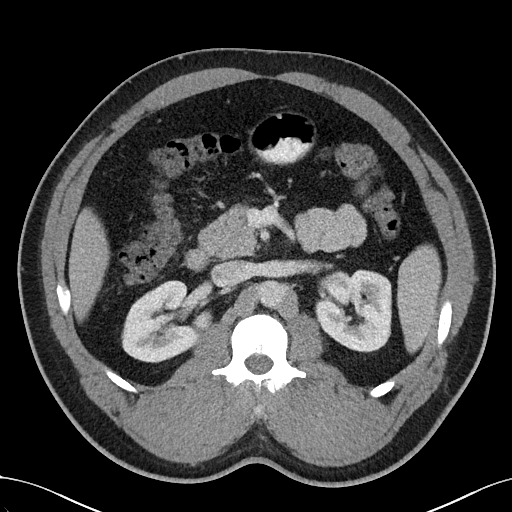
Abdominal CT with intravenous contrast, arterial phase, axial plane, 100 kVp, kernel I40f. Slice 69/102 from the bottom of the scan; thickness 5.00 mm; pixel size 0.781 mm.
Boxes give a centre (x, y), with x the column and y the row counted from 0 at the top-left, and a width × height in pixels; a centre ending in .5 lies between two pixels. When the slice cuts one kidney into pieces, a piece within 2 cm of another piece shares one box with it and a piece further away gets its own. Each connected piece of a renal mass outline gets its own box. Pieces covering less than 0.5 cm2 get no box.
Boxed on this slice (two kidney boxes), listed by box centre from the image's left to its right: (1) Box centre (159, 321), 77 × 83 pixels: right kidney (outlined area 4,702 px, about 28.7 cm2). (2) Left kidney, box centre (353, 310.5), 77 × 84 pixels (outlined area 5,172 px, about 31.6 cm2). No renal mass is outlined on this slice.